Axial slice 508 of 787 of a contrast-enhanced abdominal CT (slice 1 is the lowest), 140 kVp, kernel I30f; 1.00 mm slice thickness and 0.910 mm pixels.
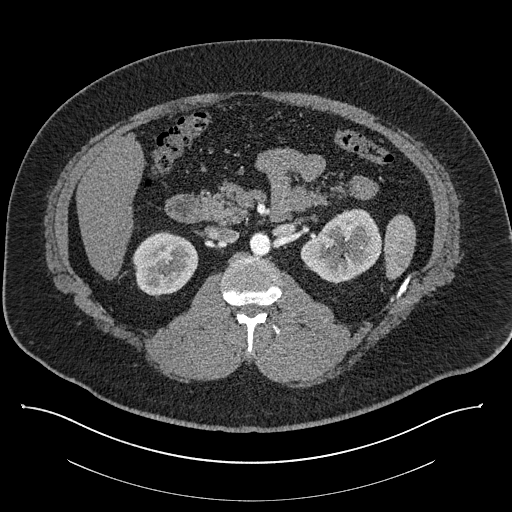
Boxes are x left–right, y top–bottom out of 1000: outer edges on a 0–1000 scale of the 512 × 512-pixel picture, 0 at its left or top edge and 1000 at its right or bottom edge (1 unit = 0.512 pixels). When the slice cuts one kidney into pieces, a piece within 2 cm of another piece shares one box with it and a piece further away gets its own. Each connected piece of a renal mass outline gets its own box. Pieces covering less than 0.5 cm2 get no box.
Two kidney boxes on this slice; by box centre, from the image's left to its right: (1) Right kidney at x 258–389, y 451–580 out of 1000 (outlined area 3,286 px, about 27.2 cm2). (2) Left kidney, box x 586–748, y 406–557 out of 1000 (outlined area 4,270 px, about 35.4 cm2). No renal mass outline on this slice.